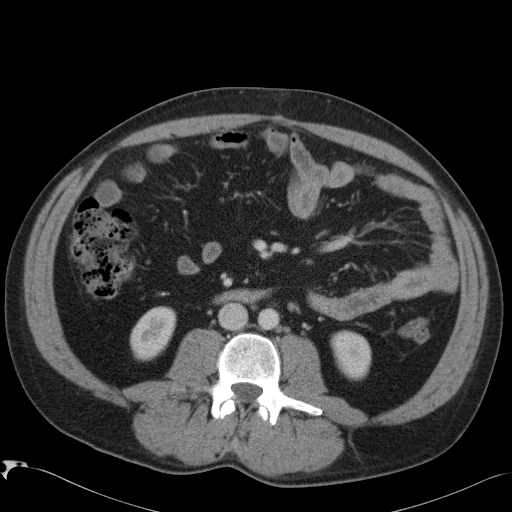
Abdominal CT with intravenous contrast, arterial phase, axial plane, 120 kVp, kernel B41f. Slice 47/88 from the bottom of the scan; thickness 5.00 mm; pixel size 0.723 mm.
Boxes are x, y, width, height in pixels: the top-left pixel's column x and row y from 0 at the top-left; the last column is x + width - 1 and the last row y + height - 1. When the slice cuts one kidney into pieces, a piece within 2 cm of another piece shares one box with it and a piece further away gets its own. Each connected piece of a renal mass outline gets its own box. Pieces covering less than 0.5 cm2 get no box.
Two boxes on this slice (two kidney boxes), listed by box centre from the image's left to its right. (1) Box x 130, y 306, width 47, height 56: right kidney (outlined area 1,861 px, about 9.7 cm2). (2) Left kidney at x 330, y 330, width 42, height 51 (outlined area 1,595 px, about 8.3 cm2). No renal mass is outlined on this slice.